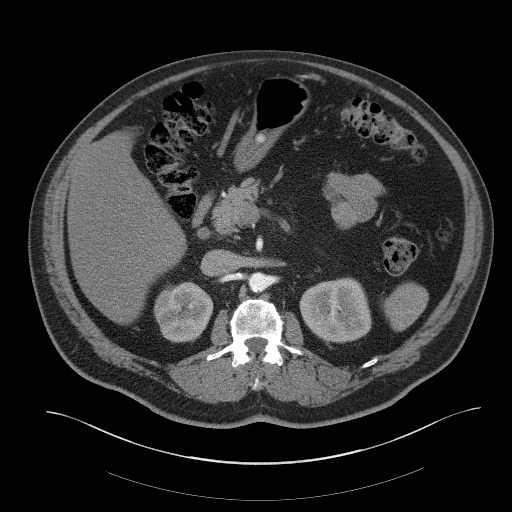
Contrast-enhanced abdominal CT, axial slice 33 of 61 (counted from the lowest slice); tube voltage 140 kVp, convolution kernel B41f; slices 3.00 mm thick, 0.939 mm per pixel.
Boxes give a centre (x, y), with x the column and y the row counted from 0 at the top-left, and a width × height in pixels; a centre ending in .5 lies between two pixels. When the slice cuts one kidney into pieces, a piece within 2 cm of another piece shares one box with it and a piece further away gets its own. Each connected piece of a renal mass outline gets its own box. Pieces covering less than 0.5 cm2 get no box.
Two kidney boxes on this slice; by box centre, from the image's left to its right: (1) Right kidney in a box with centre (183.5, 311.5), 60 × 62 pixels (outlined area 2,796 px, about 24.7 cm2). (2) Left kidney in a box with centre (335, 310), 73 × 67 pixels (outlined area 3,734 px, about 33.0 cm2). No renal mass outline on this slice.